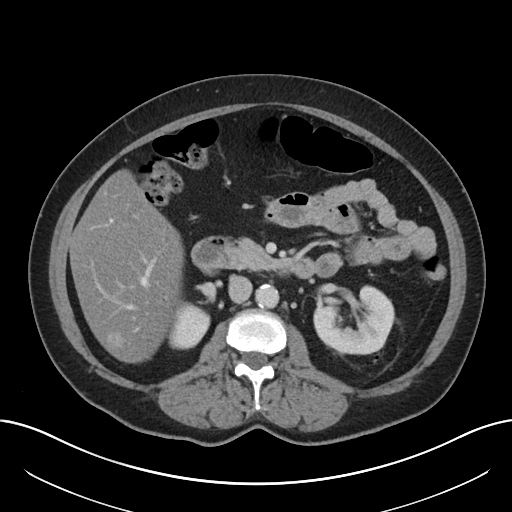
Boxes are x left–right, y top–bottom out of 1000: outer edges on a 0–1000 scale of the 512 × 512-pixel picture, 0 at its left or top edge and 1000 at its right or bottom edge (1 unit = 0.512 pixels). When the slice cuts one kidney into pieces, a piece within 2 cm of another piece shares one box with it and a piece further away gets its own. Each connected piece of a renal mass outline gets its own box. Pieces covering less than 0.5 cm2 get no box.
Slice 117/197 of a contrast-enhanced abdominal CT, counting up from the lowest; pixel size 0.791 mm, slice thickness 5.00 mm. Two boxes on this slice (two kidney boxes), listed by box centre from the image's left to its right. (1) Box x 330–412, y 590–684 out of 1000: right kidney (outlined area 1,349 px, about 8.4 cm2). (2) Left kidney, box x 611–781, y 557–697 out of 1000 (outlined area 4,122 px, about 25.8 cm2). No renal mass is outlined on this slice.
Scan settings: 120 kVp, I30f reconstruction kernel.